Abdominal CT with intravenous contrast, axial plane, 120 kVp, kernel B30f. Slice 50/92 from the bottom of the scan; thickness 5.00 mm; pixel size 0.918 mm.
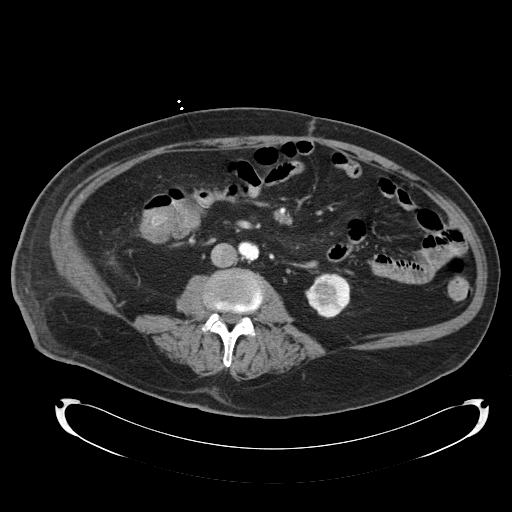
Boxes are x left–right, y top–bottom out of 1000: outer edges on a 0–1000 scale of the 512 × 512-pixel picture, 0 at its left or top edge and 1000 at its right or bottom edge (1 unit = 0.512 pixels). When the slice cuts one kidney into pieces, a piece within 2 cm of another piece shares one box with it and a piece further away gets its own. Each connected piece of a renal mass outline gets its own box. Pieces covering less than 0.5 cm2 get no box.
Left kidney, box x 596–686, y 533–623 out of 1000 (outlined area 1,547 px, about 13.0 cm2). No renal mass is outlined on this slice.